One axial slice (532 of 634, counting up from the lowest) of an arterial-phase abdominal CT acquired with 120 kVp, kernel B20f; each pixel is 0.838 mm and the slice is 1.00 mm thick.
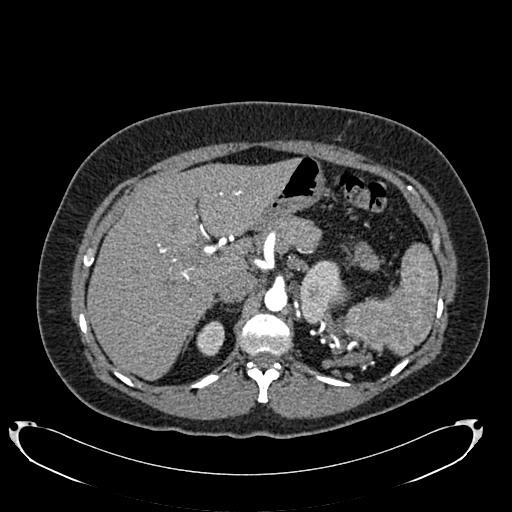
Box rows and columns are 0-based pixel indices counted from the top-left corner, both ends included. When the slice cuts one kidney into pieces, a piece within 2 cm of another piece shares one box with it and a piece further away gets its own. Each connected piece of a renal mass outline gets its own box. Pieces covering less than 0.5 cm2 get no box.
Two boxes on this slice (two kidney boxes), listed by box centre from the image's left to its right. (1) Right kidney at rows 321–356, columns 196–224 (outlined area 769 px, about 5.4 cm2). (2) Left kidney at rows 260–323, columns 299–345 (outlined area 2,100 px, about 14.7 cm2). No renal mass is outlined on this slice.